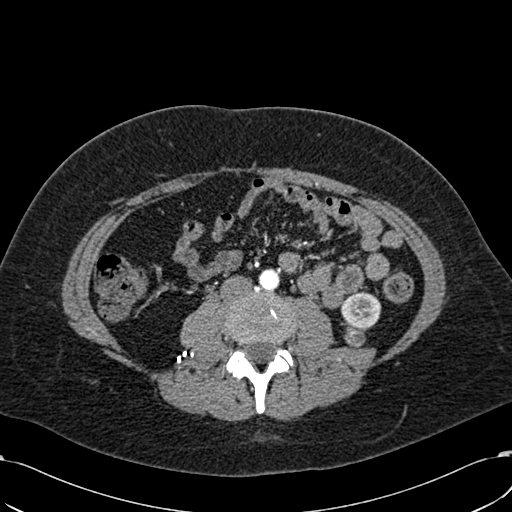
Axial slice 260 of 532 of a contrast-enhanced abdominal CT in the arterial phase (slice 1 is the lowest), 120 kVp, kernel B30f; 1.00 mm slice thickness and 0.713 mm pixels.
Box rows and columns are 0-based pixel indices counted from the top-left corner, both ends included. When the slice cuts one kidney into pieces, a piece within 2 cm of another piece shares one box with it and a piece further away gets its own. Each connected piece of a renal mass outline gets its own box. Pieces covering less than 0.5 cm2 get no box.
Boxed on this slice (one kidney box and one renal mass box), listed by box centre from the image's left to its right: (1) Left renal mass at rows 326–348, columns 344–365 (outlined area 359 px, about 1.8 cm2). (2) Box rows 291–330, columns 341–381: left kidney (outlined area 1,210 px, about 6.1 cm2).